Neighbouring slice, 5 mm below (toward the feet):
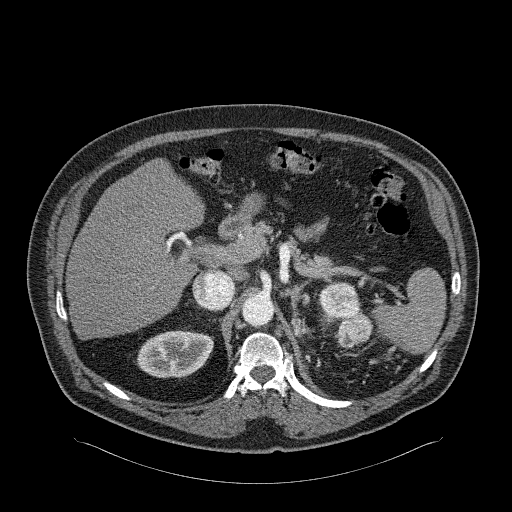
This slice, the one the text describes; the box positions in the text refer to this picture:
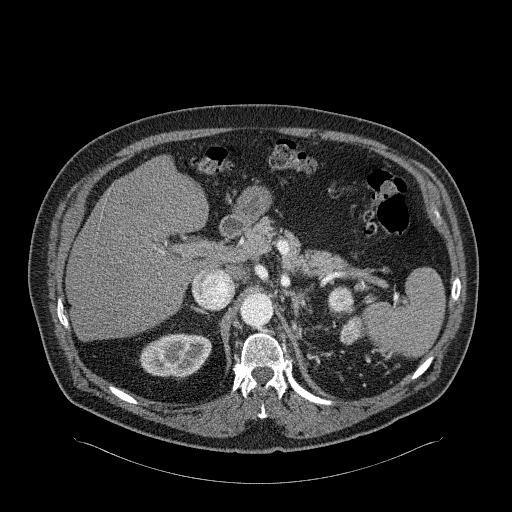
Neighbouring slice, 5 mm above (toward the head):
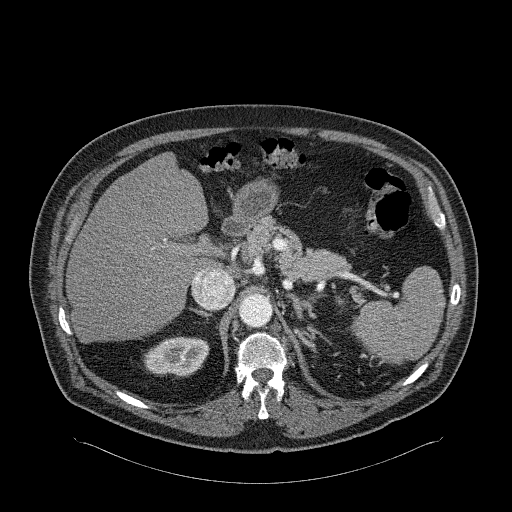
Arterial-phase contrast-enhanced abdominal CT, axial slice 187 of 326 (counted from the lowest slice); tube voltage 120 kVp, convolution kernel B31f; slices 2.00 mm thick, 0.963 mm per pixel.
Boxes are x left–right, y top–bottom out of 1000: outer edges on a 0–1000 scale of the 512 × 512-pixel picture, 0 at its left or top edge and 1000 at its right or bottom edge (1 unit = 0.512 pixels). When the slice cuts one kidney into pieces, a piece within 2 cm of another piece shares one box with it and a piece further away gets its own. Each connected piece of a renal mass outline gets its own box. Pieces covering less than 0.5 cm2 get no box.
Three boxes on this slice (one kidney box and two renal mass boxes), listed by box centre from the image's left to its right. (1) Right kidney, box x 271–414, y 650–742 out of 1000 (outlined area 2,555 px, about 23.7 cm2). (2) Left renal mass, box x 639–693, y 559–611 out of 1000 (outlined area 574 px, about 5.3 cm2); here it is more than 1 cm from any kidney outline, though on another slice the same outlined renal mass lies within 1 cm of the kidney. (3) Left renal mass at x 664–713, y 617–676 out of 1000 (outlined area 541 px, about 5.0 cm2); it sits over 1 cm from every kidney outline on this slice, but the same outlined renal mass comes within 1 cm of the kidney on another slice. This slice lies near the end of the left renal mass toward the head; the slices 5 mm below and 5 mm above it are shown too, and the boxes mark positions on this slice only.